Contrast-enhanced abdominal CT, axial slice 30 of 137 (counted from the lowest slice); tube voltage 120 kVp, convolution kernel FC52; slices 3.00 mm thick, 0.741 mm per pixel.
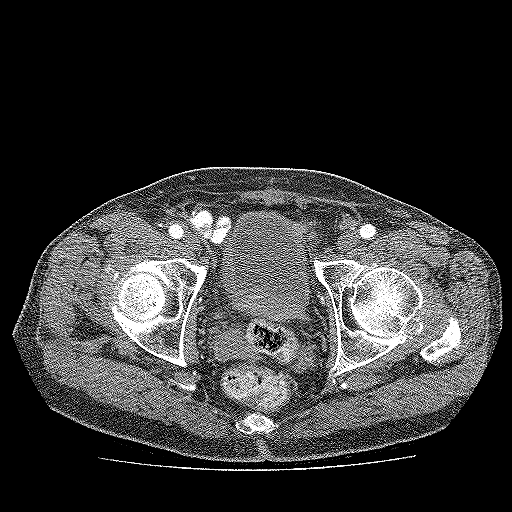
Neither a kidney nor a renal mass is outlined here. Only kidneys and renal masses are outlined anywhere in this scan; other structures are never outlined.